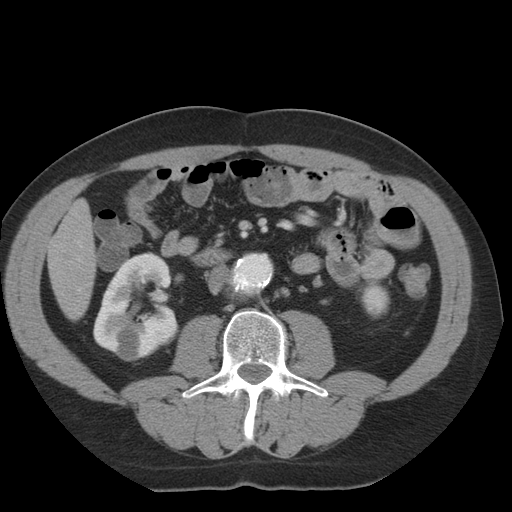
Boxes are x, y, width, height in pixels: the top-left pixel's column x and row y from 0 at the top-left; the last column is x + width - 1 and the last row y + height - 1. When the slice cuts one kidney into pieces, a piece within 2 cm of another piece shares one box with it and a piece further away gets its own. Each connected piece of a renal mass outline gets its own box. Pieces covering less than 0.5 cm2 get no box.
Arterial-phase contrast-enhanced abdominal CT, axial slice 7 of 36 (counted from the lowest slice); 5.00 mm thick, 0.703 mm per pixel. Two kidney boxes on this slice; by box centre, from the image's left to its right: (1) Box x 93, y 251, width 87, height 111: right kidney (outlined area 6,553 px, about 32.4 cm2). (2) Box x 360, y 283, width 31, height 36: left kidney (outlined area 830 px, about 4.1 cm2). No renal mass is outlined on this slice.
Acquired at 140 kVp and reconstructed with the STANDARD kernel.